Axial slice 81 of 304 of a contrast-enhanced abdominal CT in the arterial phase (slice 1 is the lowest), 100 kVp, kernel I30f; 2.00 mm slice thickness and 0.809 mm pixels.
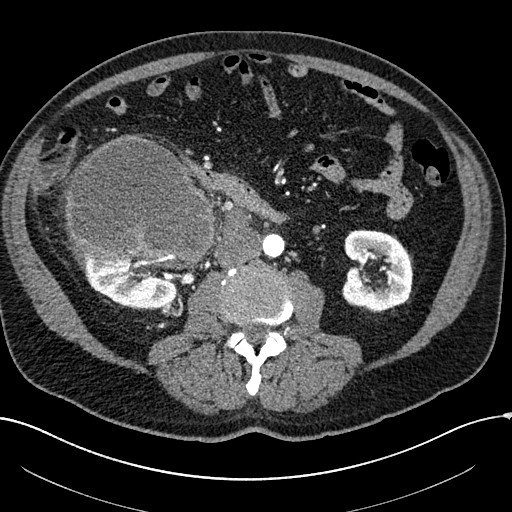
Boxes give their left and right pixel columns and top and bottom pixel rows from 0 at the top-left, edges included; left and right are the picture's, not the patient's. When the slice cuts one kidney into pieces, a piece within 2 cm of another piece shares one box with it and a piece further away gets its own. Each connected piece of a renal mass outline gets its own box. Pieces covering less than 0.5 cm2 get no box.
Two kidney boxes and one renal mass box on this slice; by box centre, from the image's left to its right: (1) Right kidney in the box with left 83, top 256, right 177, bottom 309 (outlined area 3,575 px, about 23.4 cm2). (2) Right renal mass, the box with left 64, top 135, right 216, bottom 268 (outlined area 15,465 px, about 101.1 cm2). (3) Left kidney, the box with left 342, top 229, right 412, bottom 311 (outlined area 4,462 px, about 29.2 cm2).